One axial slice (543 of 683, counting up from the lowest) of an arterial-phase abdominal CT acquired with 120 kVp, kernel I30f; each pixel is 0.738 mm and the slice is 1.00 mm thick.
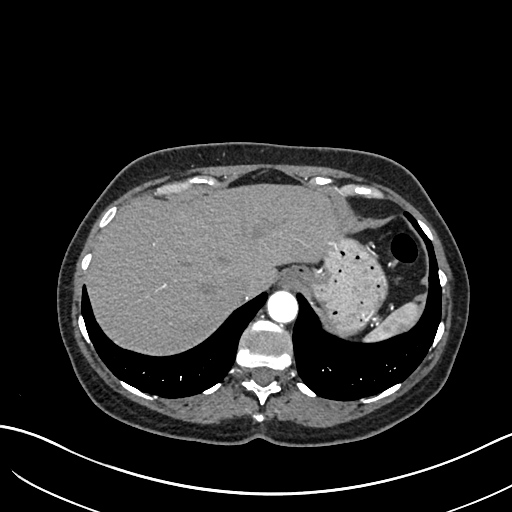
Outside the outlined region: no kidney outline and no renal mass outline on this slice. The scan's outlines cover only kidneys and renal masses; no other organ is outlined.